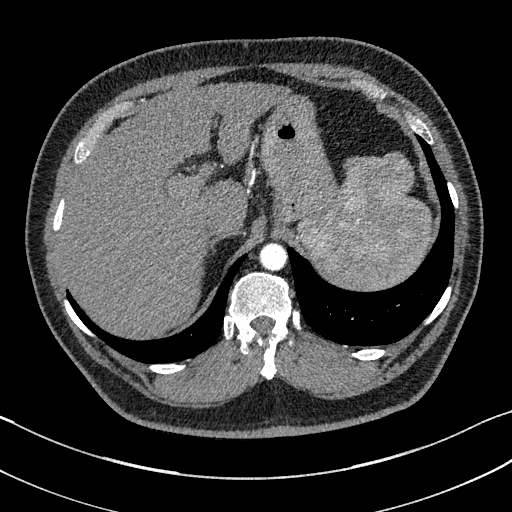
Abdominal CT with intravenous contrast, arterial phase, axial plane, 100 kVp, kernel I31f. Slice 139/195 from the bottom of the scan; thickness 1.50 mm; pixel size 0.707 mm.
This slice carries no outline: it lies beyond the outlined kidneys and beyond every outlined renal mass. Other organs are not outlined in this scan.